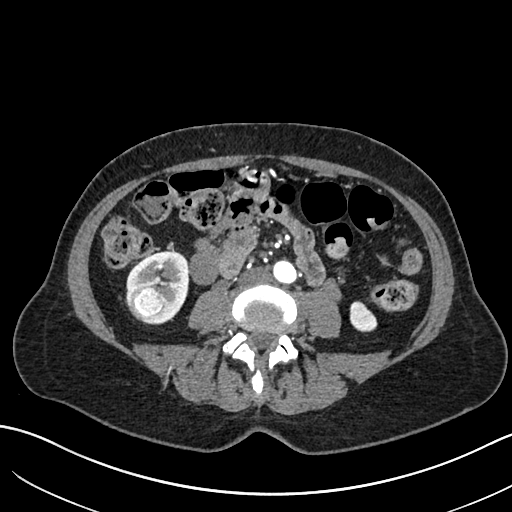
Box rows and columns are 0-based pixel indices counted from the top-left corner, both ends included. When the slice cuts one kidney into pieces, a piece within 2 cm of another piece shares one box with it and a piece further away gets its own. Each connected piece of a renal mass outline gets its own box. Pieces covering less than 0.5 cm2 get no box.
Arterial-phase contrast-enhanced abdominal CT, axial slice 283 of 683 (counted from the lowest slice); 1.00 mm thick, 0.738 mm per pixel. Boxed on this slice (two kidney boxes and one renal mass box), listed by box centre from the image's left to its right: (1) Right renal mass at rows 285–320, columns 127–168 (outlined area 1,141 px, about 6.2 cm2). (2) Right kidney, box rows 250–323, columns 125–188 (outlined area 2,630 px, about 14.3 cm2). (3) Box rows 301–332, columns 349–377: left kidney (outlined area 656 px, about 3.6 cm2).
Tube voltage 120 kVp; convolution kernel I30f.